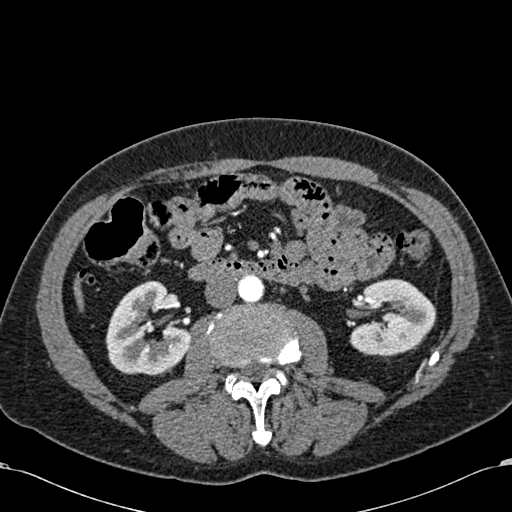
One axial slice (310 of 581, counting up from the lowest) of an arterial-phase abdominal CT acquired with 120 kVp, kernel B30f; each pixel is 0.713 mm and the slice is 1.00 mm thick.
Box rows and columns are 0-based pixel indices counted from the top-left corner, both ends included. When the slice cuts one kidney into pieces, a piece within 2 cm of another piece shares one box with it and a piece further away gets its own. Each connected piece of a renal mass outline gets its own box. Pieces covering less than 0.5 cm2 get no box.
Boxed on this slice (two kidney boxes), listed by box centre from the image's left to its right: (1) Right kidney at rows 280–375, columns 105–190 (outlined area 5,610 px, about 28.5 cm2). (2) Left kidney at rows 279–356, columns 349–436 (outlined area 5,048 px, about 25.7 cm2). No renal mass outline on this slice.